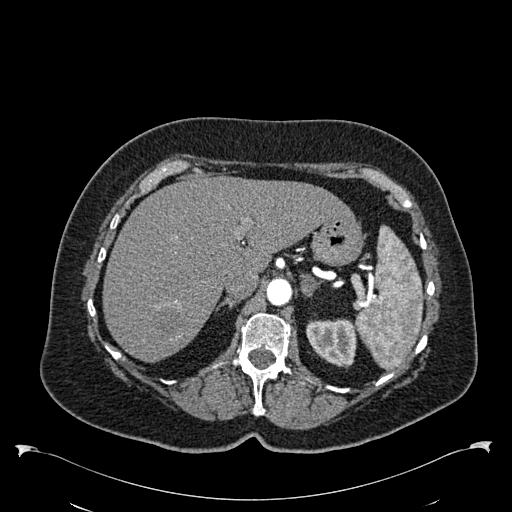
Axial slice 422 of 538 of a contrast-enhanced abdominal CT in the arterial phase (slice 1 is the lowest), 120 kVp, kernel B30f; 1.00 mm slice thickness and 0.811 mm pixels.
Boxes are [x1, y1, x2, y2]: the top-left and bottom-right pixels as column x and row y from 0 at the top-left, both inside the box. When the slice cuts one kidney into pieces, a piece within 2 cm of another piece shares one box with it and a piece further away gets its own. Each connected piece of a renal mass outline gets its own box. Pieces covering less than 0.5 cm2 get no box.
Left kidney at [306, 319, 356, 368] (outlined area 1,953 px, about 12.8 cm2). This slice carries no renal mass outline.